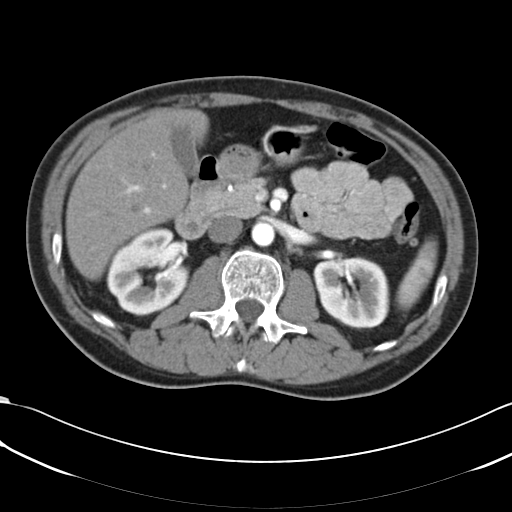
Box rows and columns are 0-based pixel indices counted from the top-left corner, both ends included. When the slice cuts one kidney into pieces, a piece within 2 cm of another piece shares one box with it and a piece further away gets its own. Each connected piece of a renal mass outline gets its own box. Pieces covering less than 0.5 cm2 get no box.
Arterial-phase contrast-enhanced abdominal CT, axial slice 39 of 66 (counted from the lowest slice); 5.00 mm thick, 0.678 mm per pixel. Two kidney boxes on this slice; by box centre, from the image's left to its right: (1) Right kidney at rows 228–316, columns 106–188 (outlined area 5,233 px, about 24.0 cm2). (2) Left kidney, box rows 256–329, columns 313–388 (outlined area 4,296 px, about 19.7 cm2). No renal mass outline on this slice.
Acquired at 120 kVp and reconstructed with the B30f kernel.